Abdominal CT with intravenous contrast, arterial phase, axial plane, 120 kVp, kernel STANDARD. Slice 62/69 from the bottom of the scan; thickness 2.50 mm; pixel size 0.846 mm.
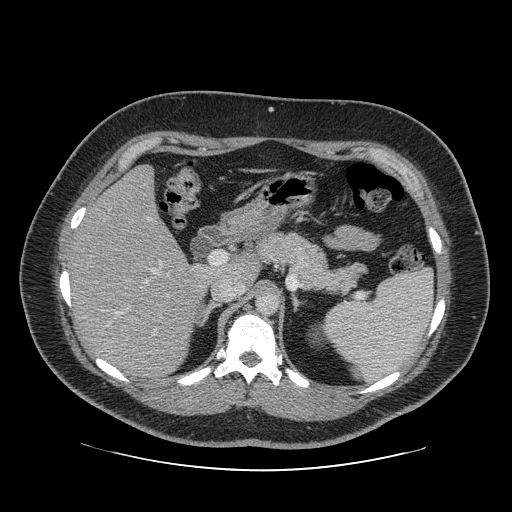
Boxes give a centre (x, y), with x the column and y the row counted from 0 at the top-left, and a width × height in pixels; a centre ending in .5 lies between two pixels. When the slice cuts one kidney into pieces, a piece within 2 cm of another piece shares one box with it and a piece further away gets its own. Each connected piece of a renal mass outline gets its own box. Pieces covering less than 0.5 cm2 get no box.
Left kidney, box centre (316, 335), 17 × 21 pixels (outlined area 229 px, about 1.6 cm2). No renal mass outline on this slice.